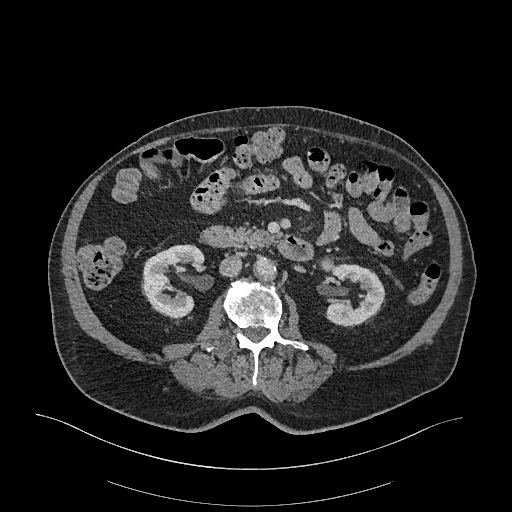
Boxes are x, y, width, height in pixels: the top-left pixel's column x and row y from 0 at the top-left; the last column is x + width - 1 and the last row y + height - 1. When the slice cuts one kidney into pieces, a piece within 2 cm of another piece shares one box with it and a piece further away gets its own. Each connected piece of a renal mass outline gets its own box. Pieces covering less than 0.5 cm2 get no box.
Arterial-phase contrast-enhanced abdominal CT, axial slice 137 of 470 (counted from the lowest slice); 1.00 mm thick, 0.938 mm per pixel. Two kidney boxes on this slice; by box centre, from the image's left to its right: (1) Right kidney, box x 142, y 244, width 63, height 76 (outlined area 3,194 px, about 28.1 cm2). (2) Box x 324, y 262, width 62, height 66: left kidney (outlined area 2,934 px, about 25.8 cm2). This slice carries no renal mass outline.
Scan settings: 120 kVp, I26f reconstruction kernel.